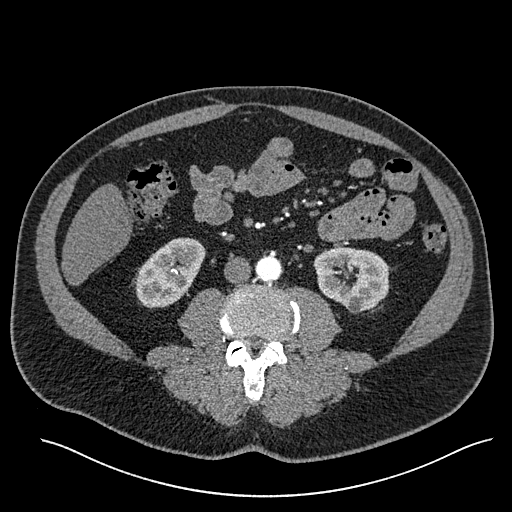
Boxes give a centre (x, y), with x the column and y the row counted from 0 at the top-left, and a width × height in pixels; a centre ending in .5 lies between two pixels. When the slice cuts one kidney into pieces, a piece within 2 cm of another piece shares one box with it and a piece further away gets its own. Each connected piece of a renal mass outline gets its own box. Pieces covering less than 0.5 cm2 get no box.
This is axial slice 235 of 527 (slice 1 is the lowest) of an arterial-phase abdominal CT with contrast; each pixel is 0.859 mm and the slice is 1.00 mm thick. Boxed on this slice (two kidney boxes), listed by box centre from the image's left to its right: (1) Right kidney in a box with centre (170, 272), 71 × 71 pixels (outlined area 3,422 px, about 25.3 cm2). (2) Left kidney, box centre (351, 280), 77 × 67 pixels (outlined area 3,786 px, about 28.0 cm2). No renal mass outline on this slice.
Tube voltage 120 kVp; convolution kernel I30f.